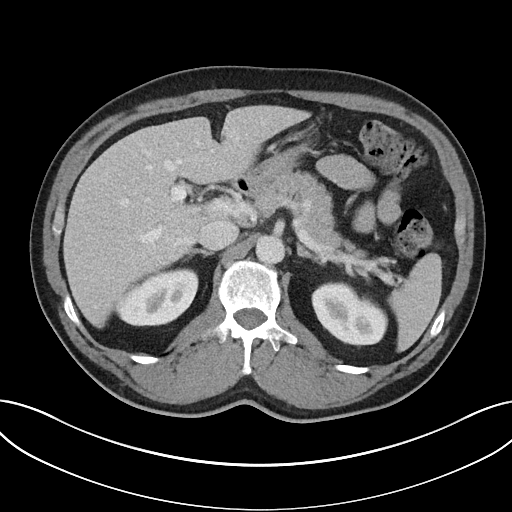
Axial slice 24 of 32 of a contrast-enhanced abdominal CT in the arterial phase (slice 1 is the lowest), 100 kVp, kernel I40f; 5.00 mm slice thickness and 0.779 mm pixels.
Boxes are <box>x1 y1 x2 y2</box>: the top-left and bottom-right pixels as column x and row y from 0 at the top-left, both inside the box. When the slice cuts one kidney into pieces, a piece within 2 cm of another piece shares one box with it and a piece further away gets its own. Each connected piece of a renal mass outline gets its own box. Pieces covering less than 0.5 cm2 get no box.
Two boxes on this slice (two kidney boxes), listed by box centre from the image's left to its right. (1) Right kidney at <box>115 267 198 326</box> (outlined area 3,547 px, about 21.5 cm2). (2) Left kidney: <box>311 281 388 346</box> (outlined area 3,530 px, about 21.4 cm2). No renal mass is outlined on this slice.